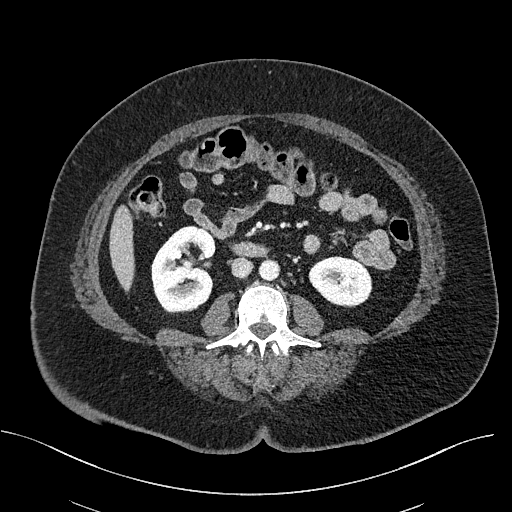
One axial slice (269 of 470, counting up from the lowest) of a contrast-enhanced abdominal CT acquired with 100 kVp, kernel I40f; each pixel is 0.824 mm and the slice is 2.00 mm thick.
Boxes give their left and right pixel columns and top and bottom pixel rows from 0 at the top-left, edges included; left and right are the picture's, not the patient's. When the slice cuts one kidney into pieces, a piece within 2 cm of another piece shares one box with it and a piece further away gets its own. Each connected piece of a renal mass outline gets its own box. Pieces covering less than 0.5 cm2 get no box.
Two kidney boxes on this slice; by box centre, from the image's left to its right: (1) Right kidney, the box with left 151, top 225, right 216, bottom 313 (outlined area 4,384 px, about 29.8 cm2). (2) Left kidney, the box with left 308, top 256, right 372, bottom 307 (outlined area 2,478 px, about 16.8 cm2). This slice carries no renal mass outline.